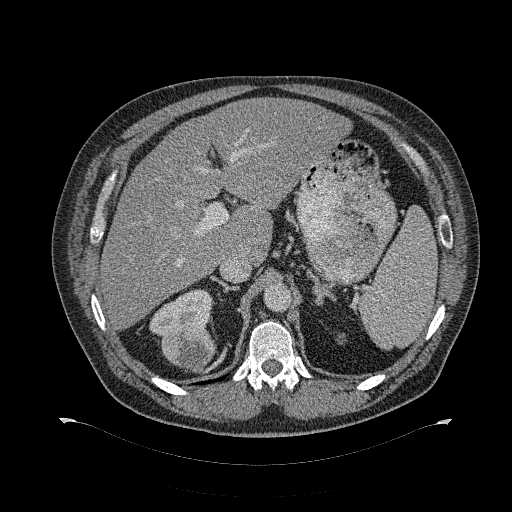
Contrast-enhanced abdominal CT, axial slice 219 of 274 (counted from the lowest slice); tube voltage 120 kVp, convolution kernel B31f; slices 2.00 mm thick, 0.977 mm per pixel.
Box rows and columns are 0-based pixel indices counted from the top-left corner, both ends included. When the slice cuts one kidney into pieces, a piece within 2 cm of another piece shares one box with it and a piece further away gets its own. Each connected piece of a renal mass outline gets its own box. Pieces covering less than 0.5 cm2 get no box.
Three boxes on this slice (two kidney boxes and one renal mass box), listed by box centre from the image's left to its right. (1) Right kidney at rows 289–336, columns 149–212 (outlined area 1,871 px, about 17.8 cm2). (2) Right renal mass, box rows 326–369, columns 161–216 (outlined area 1,882 px, about 17.9 cm2). (3) Left kidney, box rows 333–344, columns 336–346 (outlined area 87 px, about 0.8 cm2).